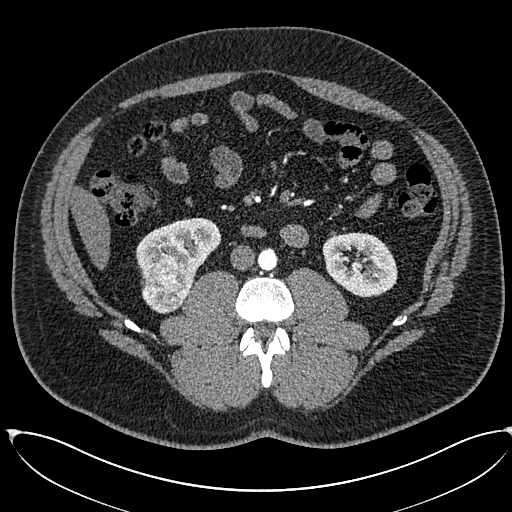
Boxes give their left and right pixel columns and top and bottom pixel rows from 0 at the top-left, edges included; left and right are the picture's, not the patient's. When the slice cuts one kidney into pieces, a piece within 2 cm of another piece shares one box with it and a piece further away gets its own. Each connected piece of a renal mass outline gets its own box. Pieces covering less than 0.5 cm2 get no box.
Slice 284/673 of a contrast-enhanced abdominal CT in the arterial phase, counting up from the lowest; pixel size 0.855 mm, slice thickness 1.00 mm. Boxed on this slice (two kidney boxes and one renal mass box), listed by box centre from the image's left to its right: (1) Right renal mass in the box with left 141, top 256, right 194, bottom 313 (outlined area 2,237 px, about 16.4 cm2). (2) Box with left 136, top 217, right 221, bottom 281: right kidney (outlined area 3,162 px, about 23.1 cm2). (3) Left kidney in the box with left 322, top 232, right 397, bottom 297 (outlined area 3,723 px, about 27.2 cm2).
Scan settings: 120 kVp, I30f reconstruction kernel.